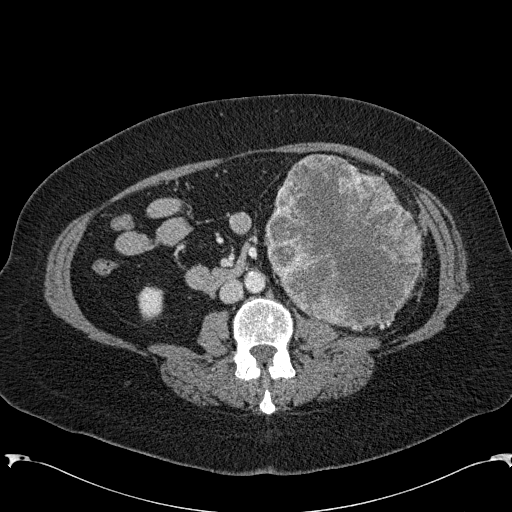
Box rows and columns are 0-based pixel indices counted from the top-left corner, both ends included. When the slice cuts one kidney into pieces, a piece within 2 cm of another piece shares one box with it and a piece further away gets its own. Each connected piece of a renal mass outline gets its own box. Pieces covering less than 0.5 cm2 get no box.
This is axial slice 92 of 285 (slice 1 is the lowest) of an arterial-phase abdominal CT with contrast; each pixel is 0.762 mm and the slice is 2.00 mm thick. One kidney box and one renal mass box on this slice; by box centre, from the image's left to its right: (1) Right kidney at rows 286–320, columns 137–163 (outlined area 724 px, about 4.2 cm2). (2) Box rows 154–331, columns 264–423: left renal mass (outlined area 20,876 px, about 121.1 cm2); here it is more than 1 cm from any kidney outline, though on another slice the same outlined renal mass lies within 1 cm of the kidney.
Tube voltage 120 kVp; convolution kernel B31f.